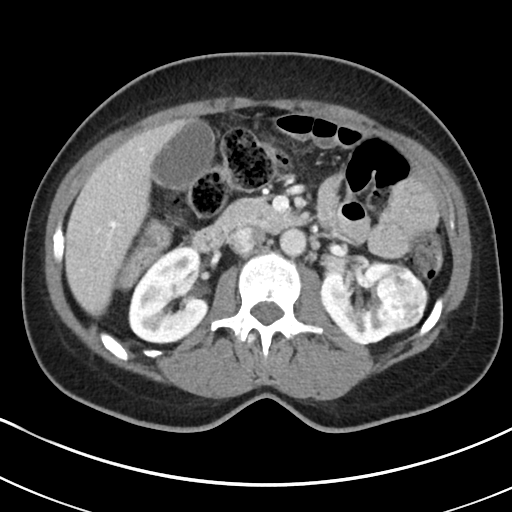
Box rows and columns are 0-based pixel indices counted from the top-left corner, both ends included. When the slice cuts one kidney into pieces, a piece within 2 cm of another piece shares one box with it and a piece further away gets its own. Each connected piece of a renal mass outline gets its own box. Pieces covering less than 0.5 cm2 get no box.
Slice 117/178 of a contrast-enhanced abdominal CT, counting up from the lowest; pixel size 0.650 mm, slice thickness 5.00 mm. Boxed on this slice (two kidney boxes and one renal mass box), listed by box centre from the image's left to its right: (1) Right kidney at rows 246–344, columns 128–210 (outlined area 5,973 px, about 25.3 cm2). (2) Left kidney at rows 259–344, columns 321–397 (outlined area 4,082 px, about 17.3 cm2). (3) Left renal mass at rows 263–333, columns 376–428 (outlined area 2,799 px, about 11.8 cm2).
Scan settings: 100 kVp, I30f reconstruction kernel.